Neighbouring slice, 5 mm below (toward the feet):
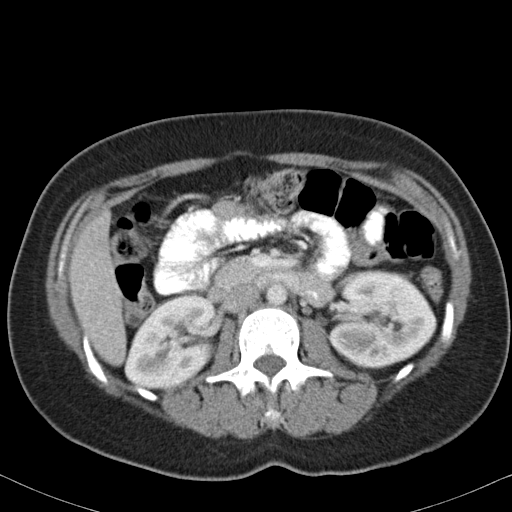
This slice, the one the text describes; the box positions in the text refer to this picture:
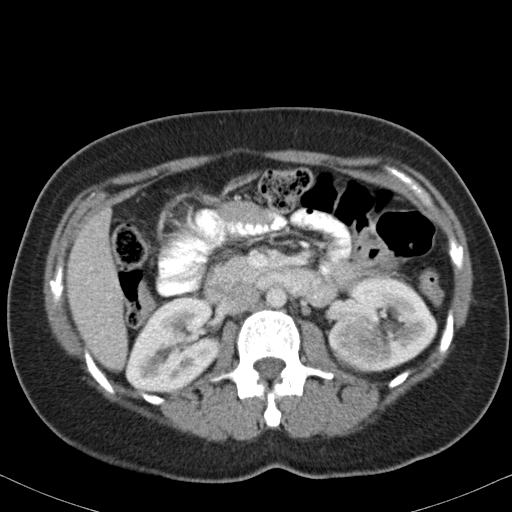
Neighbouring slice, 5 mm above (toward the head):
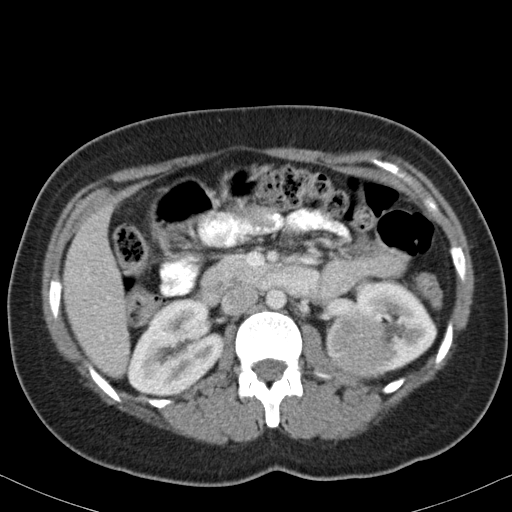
Arterial-phase contrast-enhanced abdominal CT, axial slice 60 of 82 (counted from the lowest slice); tube voltage 120 kVp, convolution kernel B31f; slices 5.00 mm thick, 0.625 mm per pixel.
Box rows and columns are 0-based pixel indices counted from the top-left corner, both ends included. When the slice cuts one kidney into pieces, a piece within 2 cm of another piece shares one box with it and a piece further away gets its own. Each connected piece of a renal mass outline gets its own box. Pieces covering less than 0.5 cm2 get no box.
Two kidney boxes and one renal mass box on this slice; by box centre, from the image's left to its right: (1) Box rows 297–393, columns 125–222: right kidney (outlined area 6,883 px, about 26.9 cm2). (2) Left renal mass at rows 319–364, columns 340–388 (outlined area 1,796 px, about 7.0 cm2). (3) Left kidney, box rows 277–371, columns 327–437 (outlined area 5,884 px, about 23.0 cm2). This slice lies near the end of the left renal mass toward the feet; the slices 5 mm below and 5 mm above it are shown too, and the boxes mark positions on this slice only.